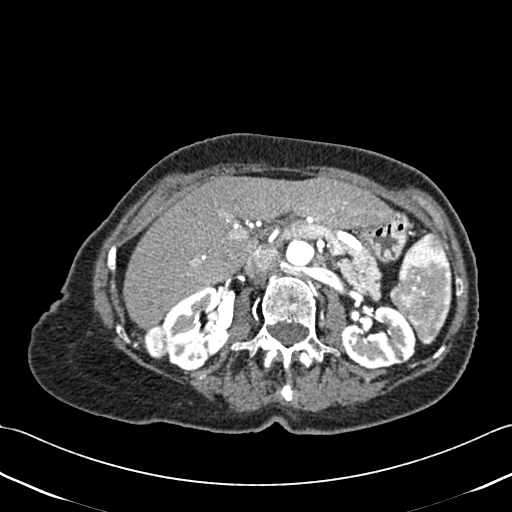
One axial slice (260 of 433, counting up from the lowest) of a contrast-enhanced abdominal CT acquired with 120 kVp, kernel B30f; each pixel is 0.672 mm and the slice is 1.00 mm thick.
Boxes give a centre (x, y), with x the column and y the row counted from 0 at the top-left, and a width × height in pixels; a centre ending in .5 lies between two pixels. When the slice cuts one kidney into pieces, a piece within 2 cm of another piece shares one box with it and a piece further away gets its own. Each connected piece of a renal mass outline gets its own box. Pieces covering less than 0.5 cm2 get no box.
Boxed on this slice (two kidney boxes and one renal mass box), listed by box centre from the image's left to its right: (1) Right renal mass in a box with centre (155.5, 341.5), 24 × 36 pixels (outlined area 657 px, about 3.0 cm2). (2) Right kidney in a box with centre (195, 329), 69 × 85 pixels (outlined area 3,950 px, about 17.8 cm2). (3) Left kidney in a box with centre (378.5, 337), 76 × 67 pixels (outlined area 3,558 px, about 16.1 cm2).